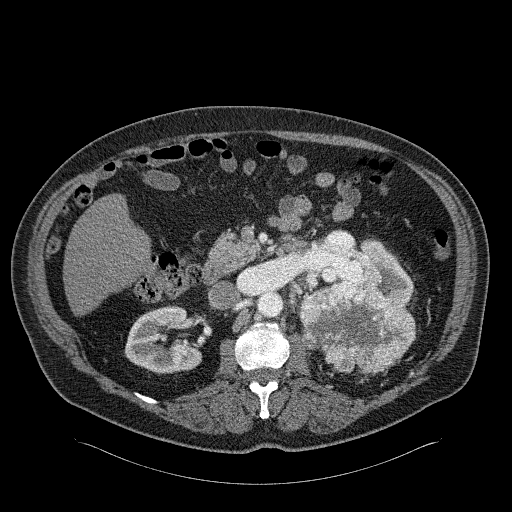
Abdominal CT with intravenous contrast, arterial phase, axial plane, 120 kVp, kernel B31f. Slice 134/326 from the bottom of the scan; thickness 2.00 mm; pixel size 0.963 mm.
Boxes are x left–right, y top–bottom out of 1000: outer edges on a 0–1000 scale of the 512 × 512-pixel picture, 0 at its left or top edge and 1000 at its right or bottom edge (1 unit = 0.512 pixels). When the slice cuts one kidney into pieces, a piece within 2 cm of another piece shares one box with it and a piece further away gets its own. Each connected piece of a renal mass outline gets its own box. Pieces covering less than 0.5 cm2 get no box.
Two kidney boxes and one renal mass box on this slice; by box centre, from the image's left to its right: (1) Right kidney, box x 242–395, y 596–732 out of 1000 (outlined area 3,790 px, about 35.1 cm2). (2) Box x 584–814, y 523–730 out of 1000: left renal mass (outlined area 8,467 px, about 78.5 cm2). (3) Box x 604–809, y 469–598 out of 1000: left kidney (outlined area 2,775 px, about 25.7 cm2).